One axial slice (396 of 673, counting up from the lowest) of an arterial-phase abdominal CT acquired with 120 kVp, kernel I30f; each pixel is 0.855 mm and the slice is 1.00 mm thick.
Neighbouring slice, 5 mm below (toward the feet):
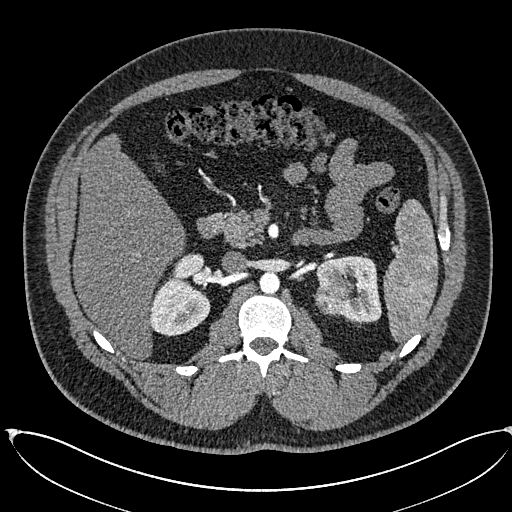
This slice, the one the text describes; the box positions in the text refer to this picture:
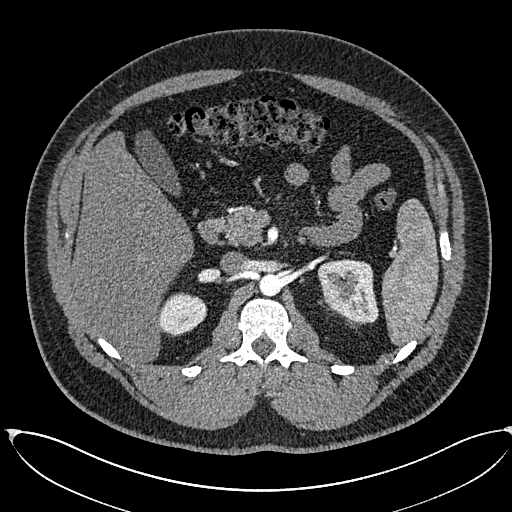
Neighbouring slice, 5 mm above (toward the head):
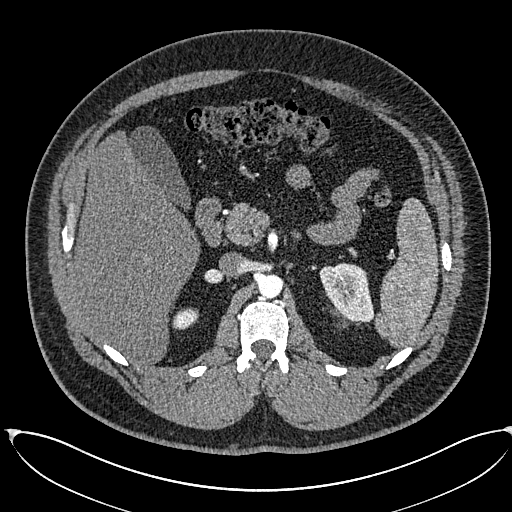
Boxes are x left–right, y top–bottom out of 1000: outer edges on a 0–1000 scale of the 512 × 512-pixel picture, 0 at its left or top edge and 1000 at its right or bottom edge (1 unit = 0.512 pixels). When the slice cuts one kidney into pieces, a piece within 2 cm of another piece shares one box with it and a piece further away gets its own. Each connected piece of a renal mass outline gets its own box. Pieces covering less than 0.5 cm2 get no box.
Three boxes on this slice (two kidney boxes and one renal mass box), listed by box centre from the image's left to its right. (1) Right kidney at x 309–404, y 570–656 out of 1000 (outlined area 1,610 px, about 11.8 cm2). (2) Left renal mass, box x 631–672, y 572–609 out of 1000 (outlined area 294 px, about 2.2 cm2). (3) Left kidney at x 619–740, y 506–633 out of 1000 (outlined area 2,751 px, about 20.1 cm2). This slice is near the end of the left renal mass toward the head, so the slices 5 mm below and 5 mm above it are shown as well; the boxes refer to this slice only.